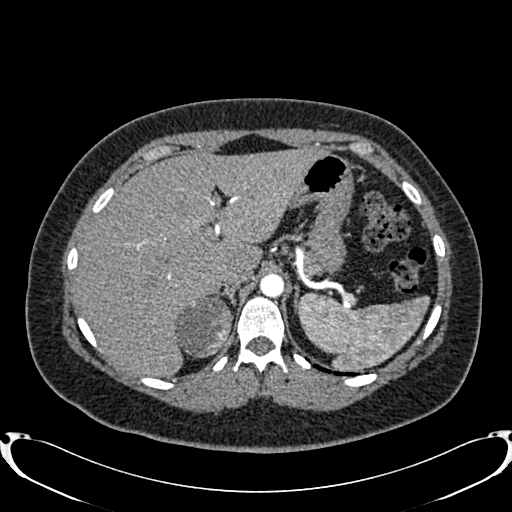
Axial slice 616 of 719 of a contrast-enhanced abdominal CT in the arterial phase (slice 1 is the lowest), 120 kVp, kernel B20f; 1.00 mm slice thickness and 0.766 mm pixels.
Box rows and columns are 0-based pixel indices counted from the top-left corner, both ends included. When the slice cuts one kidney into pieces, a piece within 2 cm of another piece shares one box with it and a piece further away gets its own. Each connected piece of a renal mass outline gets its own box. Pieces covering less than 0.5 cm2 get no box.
Right renal mass, box rows 295–357, columns 172–232 (outlined area 2,814 px, about 16.5 cm2); this slice has no kidney outline, though on another slice the same outlined renal mass lies within 1 cm of the kidney.